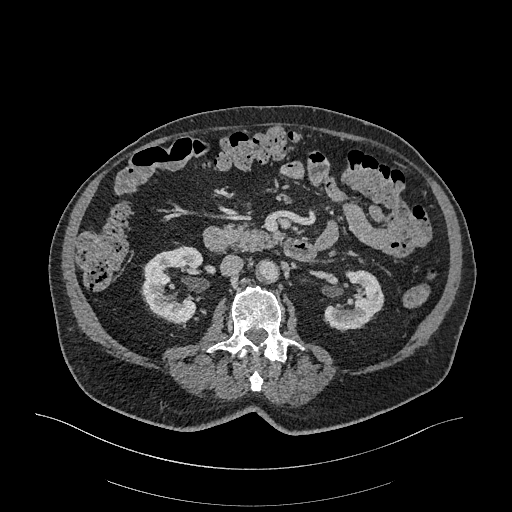
Arterial-phase contrast-enhanced abdominal CT, axial slice 151 of 470 (counted from the lowest slice); tube voltage 120 kVp, convolution kernel I26f; slices 1.00 mm thick, 0.938 mm per pixel.
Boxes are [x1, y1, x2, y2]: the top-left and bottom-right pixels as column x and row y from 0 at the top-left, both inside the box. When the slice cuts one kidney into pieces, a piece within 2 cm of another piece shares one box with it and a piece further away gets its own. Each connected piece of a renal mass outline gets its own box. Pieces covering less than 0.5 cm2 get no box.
Boxed on this slice (two kidney boxes), listed by box centre from the image's left to its right: (1) Right kidney, box [140, 245, 202, 323] (outlined area 3,369 px, about 29.6 cm2). (2) Left kidney, box [324, 270, 384, 331] (outlined area 2,391 px, about 21.0 cm2). This slice carries no renal mass outline.